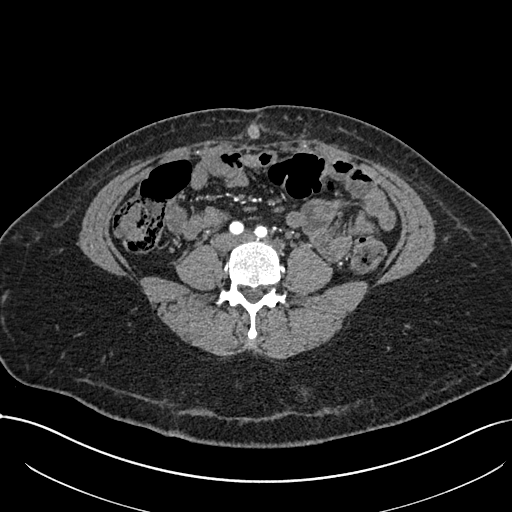
One axial slice (270 of 738, counting up from the lowest) of an arterial-phase abdominal CT acquired with 120 kVp, kernel I30f; each pixel is 0.789 mm and the slice is 1.00 mm thick.
Outside the outlined region: no kidney outline and no renal mass outline on this slice. The scan's outlines cover only kidneys and renal masses; no other organ is outlined.